One axial slice (486 of 634, counting up from the lowest) of an arterial-phase abdominal CT acquired with 120 kVp, kernel B20f; each pixel is 0.838 mm and the slice is 1.00 mm thick.
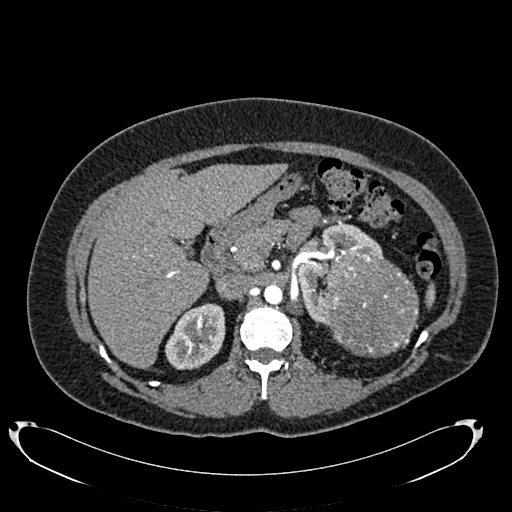
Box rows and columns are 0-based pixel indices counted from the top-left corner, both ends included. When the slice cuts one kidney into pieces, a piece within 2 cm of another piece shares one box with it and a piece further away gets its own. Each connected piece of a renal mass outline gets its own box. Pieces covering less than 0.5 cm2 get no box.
Three boxes on this slice (two kidney boxes and one renal mass box), listed by box centre from the image's left to its right. (1) Box rows 303–369, columns 164–225: right kidney (outlined area 2,992 px, about 21.0 cm2). (2) Left kidney at rows 223–325, columns 296–382 (outlined area 3,350 px, about 23.5 cm2). (3) Left renal mass, box rows 251–357, columns 323–418 (outlined area 7,919 px, about 55.6 cm2).